Abdominal CT with intravenous contrast, arterial phase, axial plane, 120 kVp, kernel I30f. Slice 540/612 from the bottom of the scan; thickness 1.00 mm; pixel size 0.703 mm.
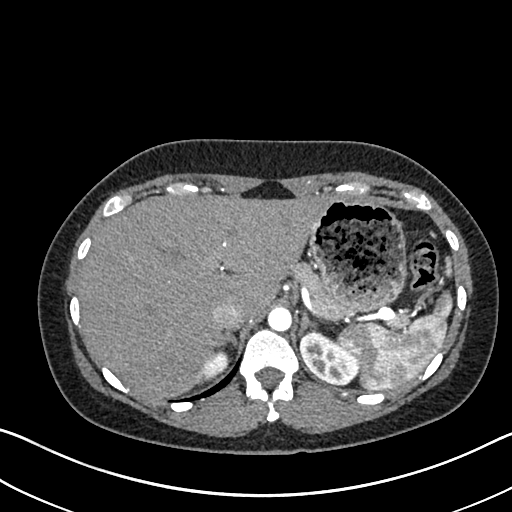
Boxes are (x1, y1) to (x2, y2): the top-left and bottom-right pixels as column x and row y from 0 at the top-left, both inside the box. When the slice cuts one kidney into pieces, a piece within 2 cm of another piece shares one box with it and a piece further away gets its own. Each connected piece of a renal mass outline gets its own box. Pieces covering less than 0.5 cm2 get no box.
Two kidney boxes on this slice; by box centre, from the image's left to its right: (1) Right kidney from (197, 348) to (229, 377) (outlined area 608 px, about 3.0 cm2). (2) Box (299, 328) to (358, 385): left kidney (outlined area 2,234 px, about 11.0 cm2). This slice carries no renal mass outline.